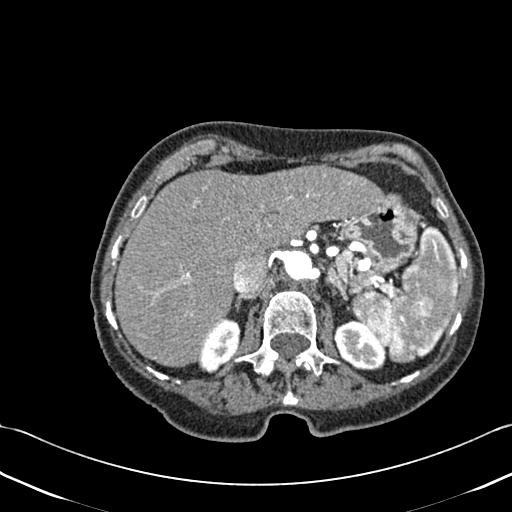
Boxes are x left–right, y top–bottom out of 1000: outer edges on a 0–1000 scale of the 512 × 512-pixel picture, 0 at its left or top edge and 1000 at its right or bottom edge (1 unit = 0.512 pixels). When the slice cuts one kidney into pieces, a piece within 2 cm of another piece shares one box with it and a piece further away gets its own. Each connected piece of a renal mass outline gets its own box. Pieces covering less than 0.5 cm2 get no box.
Contrast-enhanced abdominal CT, axial slice 326 of 433 (counted from the lowest slice); 1.00 mm thick, 0.672 mm per pixel. Boxed on this slice (two kidney boxes), listed by box centre from the image's left to its right: (1) Box x 389–471, y 621–730 out of 1000: right kidney (outlined area 1,540 px, about 7.0 cm2). (2) Left kidney at x 650–756, y 625–725 out of 1000 (outlined area 1,899 px, about 8.6 cm2). This slice carries no renal mass outline.
Scan settings: 120 kVp, B30f reconstruction kernel.